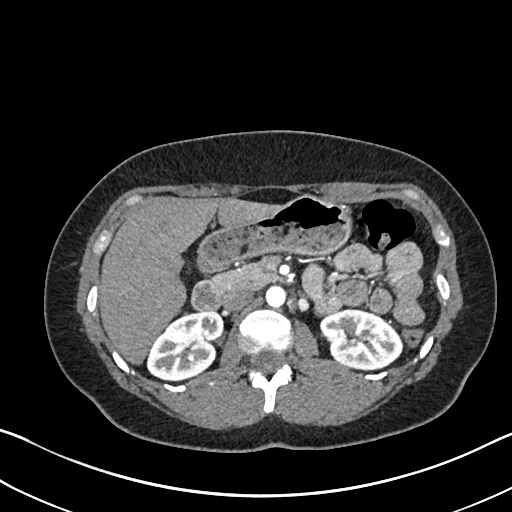
Axial slice 428 of 612 of a contrast-enhanced abdominal CT in the arterial phase (slice 1 is the lowest), 120 kVp, kernel I30f; 1.00 mm slice thickness and 0.703 mm pixels.
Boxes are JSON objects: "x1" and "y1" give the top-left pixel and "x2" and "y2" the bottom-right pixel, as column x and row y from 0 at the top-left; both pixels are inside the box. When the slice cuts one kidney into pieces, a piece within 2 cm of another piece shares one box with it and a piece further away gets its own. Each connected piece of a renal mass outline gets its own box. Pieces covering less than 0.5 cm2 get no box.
Two boxes on this slice (two kidney boxes), listed by box centre from the image's left to its right. (1) Right kidney at {"x1": 146, "y1": 311, "x2": 224, "y2": 379} (outlined area 3,888 px, about 19.2 cm2). (2) Left kidney, box {"x1": 319, "y1": 306, "x2": 403, "y2": 371} (outlined area 3,908 px, about 19.3 cm2).